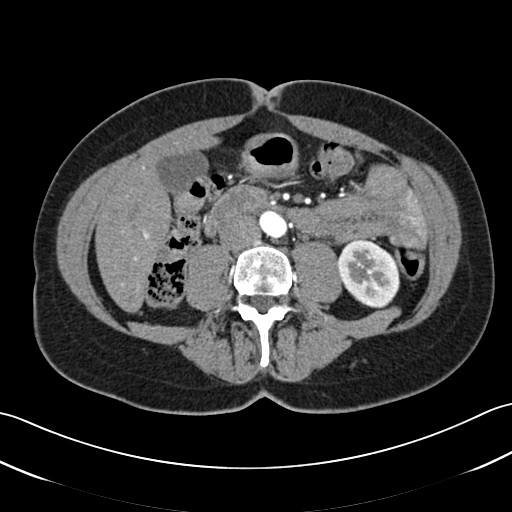
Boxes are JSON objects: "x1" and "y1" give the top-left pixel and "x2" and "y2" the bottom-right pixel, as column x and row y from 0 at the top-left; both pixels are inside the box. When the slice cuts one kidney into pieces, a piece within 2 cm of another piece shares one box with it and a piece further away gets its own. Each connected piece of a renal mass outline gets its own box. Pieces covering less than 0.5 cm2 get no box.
Slice 10/52 of a contrast-enhanced abdominal CT in the arterial phase, counting up from the lowest; pixel size 0.678 mm, slice thickness 3.00 mm. Left kidney at {"x1": 337, "y1": 239, "x2": 399, "y2": 308} (outlined area 3,253 px, about 14.9 cm2). No renal mass outline on this slice.
Acquired at 120 kVp and reconstructed with the B30f kernel.